One axial slice (98 of 153, counting up from the lowest) of a contrast-enhanced abdominal CT acquired with 120 kVp, kernel I41f; each pixel is 0.893 mm and the slice is 3.00 mm thick.
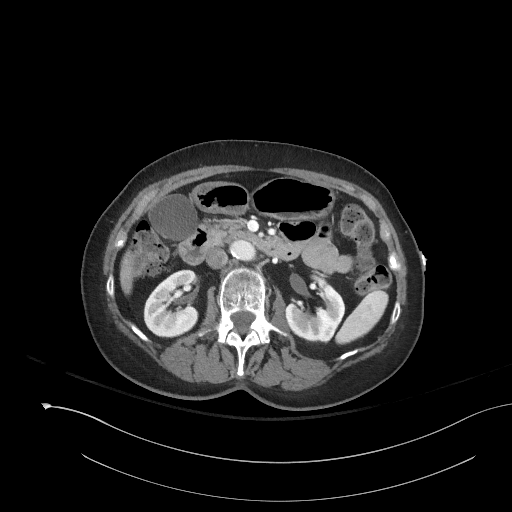
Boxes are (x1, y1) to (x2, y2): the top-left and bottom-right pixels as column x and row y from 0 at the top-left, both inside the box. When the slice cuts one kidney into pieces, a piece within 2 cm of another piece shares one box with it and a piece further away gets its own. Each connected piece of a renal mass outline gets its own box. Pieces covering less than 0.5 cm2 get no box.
Two boxes on this slice (two kidney boxes), listed by box centre from the image's left to its right. (1) Right kidney from (143, 269) to (199, 337) (outlined area 2,879 px, about 22.9 cm2). (2) Left kidney from (286, 276) to (345, 342) (outlined area 2,635 px, about 21.0 cm2). This slice carries no renal mass outline.